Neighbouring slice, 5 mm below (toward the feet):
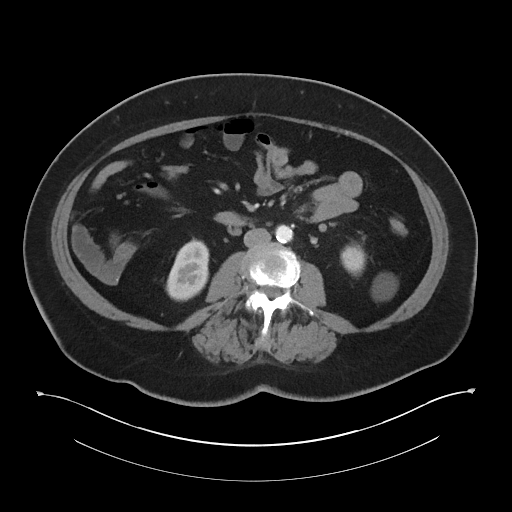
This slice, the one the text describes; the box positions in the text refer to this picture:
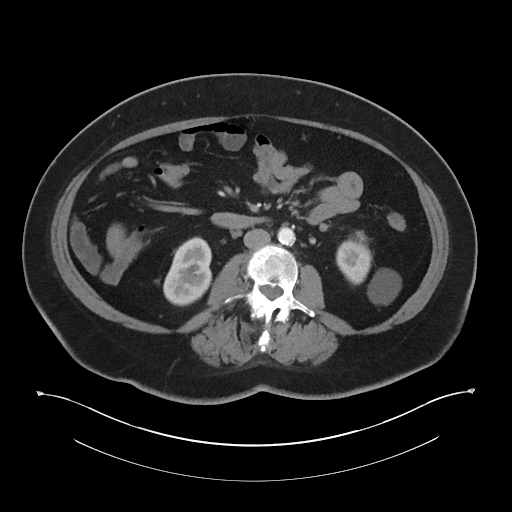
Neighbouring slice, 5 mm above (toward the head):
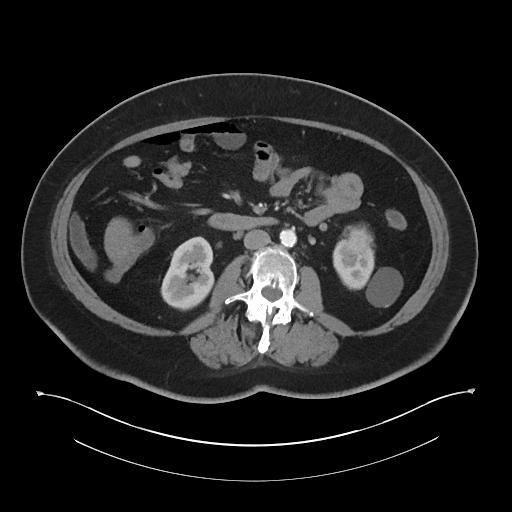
One axial slice (16 of 60, counting up from the lowest) of a contrast-enhanced abdominal CT acquired with 120 kVp, kernel I30f; each pixel is 0.971 mm and the slice is 5.00 mm thick.
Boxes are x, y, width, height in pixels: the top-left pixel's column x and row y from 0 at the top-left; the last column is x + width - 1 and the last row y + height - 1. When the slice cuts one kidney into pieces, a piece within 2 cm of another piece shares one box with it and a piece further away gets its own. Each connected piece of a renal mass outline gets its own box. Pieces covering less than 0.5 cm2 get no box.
Boxed on this slice (two kidney boxes and one renal mass box), listed by box centre from the image's left to its right: (1) Right kidney, box x 163, y 237, width 50, height 70 (outlined area 2,574 px, about 24.3 cm2). (2) Left renal mass, box x 349, y 231, width 20, height 18 (outlined area 193 px, about 1.8 cm2). (3) Box x 336, y 239, width 65, height 66: left kidney (outlined area 2,108 px, about 19.9 cm2). This slice is near the end of the left renal mass toward the feet, so the slices 5 mm below and 5 mm above it are shown as well; the boxes refer to this slice only.